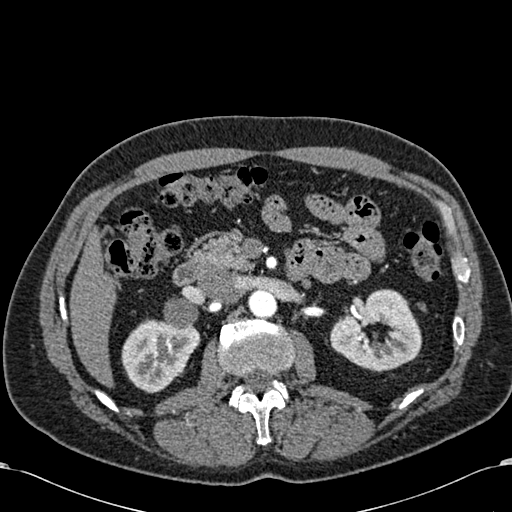
Arterial-phase contrast-enhanced abdominal CT, axial slice 376 of 581 (counted from the lowest slice); tube voltage 120 kVp, convolution kernel B30f; slices 1.00 mm thick, 0.713 mm per pixel.
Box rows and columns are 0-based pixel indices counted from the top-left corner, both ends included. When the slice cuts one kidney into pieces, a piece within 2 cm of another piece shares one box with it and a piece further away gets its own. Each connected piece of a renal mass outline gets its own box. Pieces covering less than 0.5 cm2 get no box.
Two kidney boxes on this slice; by box centre, from the image's left to its right: (1) Box rows 319–393, columns 121–200: right kidney (outlined area 4,172 px, about 21.2 cm2). (2) Box rows 289–371, columns 330–421: left kidney (outlined area 5,209 px, about 26.5 cm2). No renal mass outline on this slice.